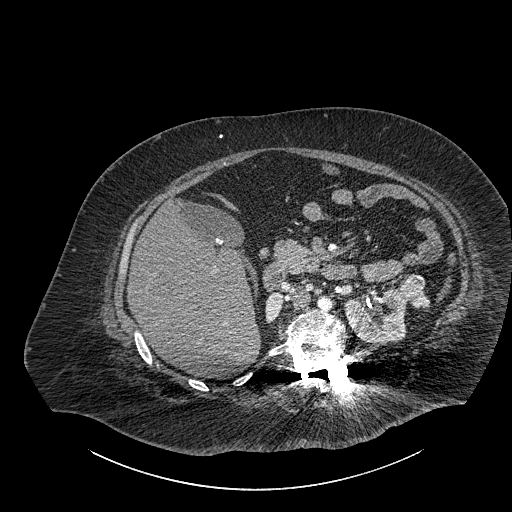
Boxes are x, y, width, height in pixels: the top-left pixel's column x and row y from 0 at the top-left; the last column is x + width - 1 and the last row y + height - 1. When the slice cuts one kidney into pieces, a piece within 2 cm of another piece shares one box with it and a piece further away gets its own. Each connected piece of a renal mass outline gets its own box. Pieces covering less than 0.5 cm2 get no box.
Slice 567/834 of a contrast-enhanced abdominal CT, counting up from the lowest; pixel size 0.977 mm, slice thickness 1.00 mm. Two kidney boxes and one renal mass box on this slice; by box centre, from the image's left to its right: (1) Box x 265, y 291, width 19, height 32: right part of the midline-crossing kidney (outlined area 426 px, about 4.1 cm2). (2) Left part of the midline-crossing kidney, box x 344, y 288, width 64, height 55 (outlined area 2,651 px, about 25.3 cm2). (3) Renal mass at x 397, y 274, width 33, height 35 (outlined area 778 px, about 7.4 cm2).
Scan settings: 140 kVp, I30f reconstruction kernel.